Axial slice 275 of 389 of a contrast-enhanced abdominal CT in the arterial phase (slice 1 is the lowest), 120 kVp, kernel STANDARD; 1.25 mm slice thickness and 0.869 mm pixels.
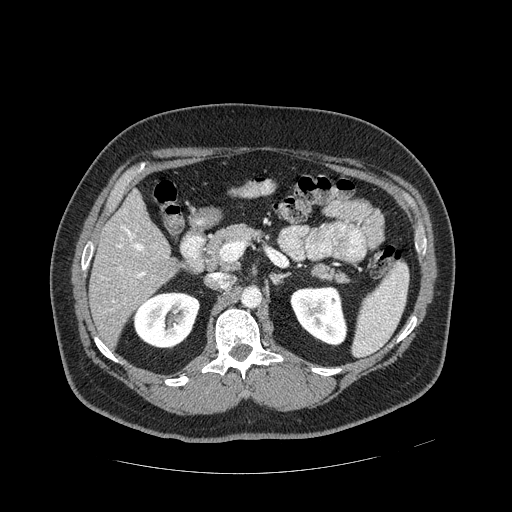
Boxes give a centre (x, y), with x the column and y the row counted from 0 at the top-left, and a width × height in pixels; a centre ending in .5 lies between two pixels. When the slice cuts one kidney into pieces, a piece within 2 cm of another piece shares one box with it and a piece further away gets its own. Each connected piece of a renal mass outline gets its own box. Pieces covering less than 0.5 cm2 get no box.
Boxed on this slice (two kidney boxes), listed by box centre from the image's left to its right: (1) Right kidney, box centre (166.5, 319.5), 68 × 58 pixels (outlined area 2,932 px, about 22.1 cm2). (2) Box centre (318.5, 316), 58 × 61 pixels: left kidney (outlined area 2,572 px, about 19.4 cm2). No renal mass is outlined on this slice.